One axial slice (299 of 683, counting up from the lowest) of an arterial-phase abdominal CT acquired with 120 kVp, kernel I30f; each pixel is 0.738 mm and the slice is 1.00 mm thick.
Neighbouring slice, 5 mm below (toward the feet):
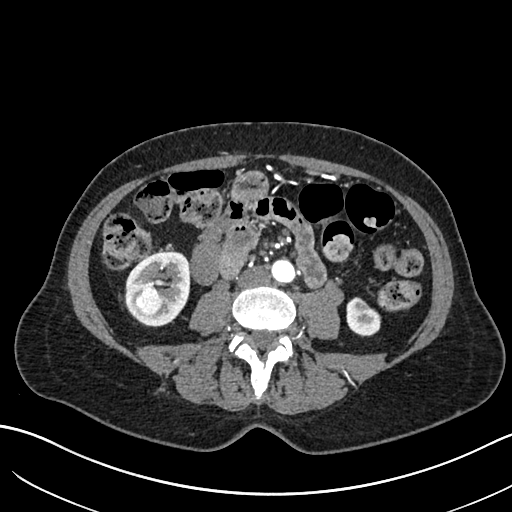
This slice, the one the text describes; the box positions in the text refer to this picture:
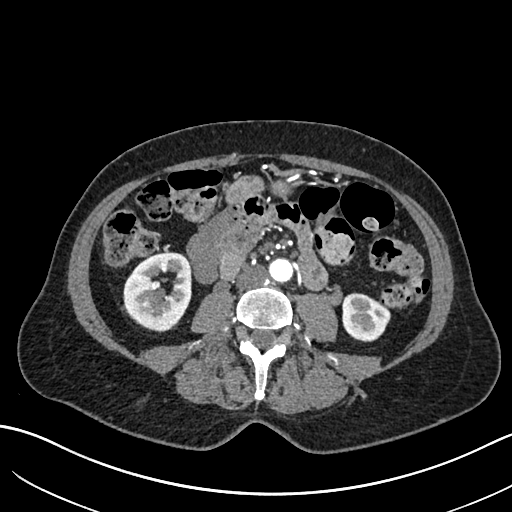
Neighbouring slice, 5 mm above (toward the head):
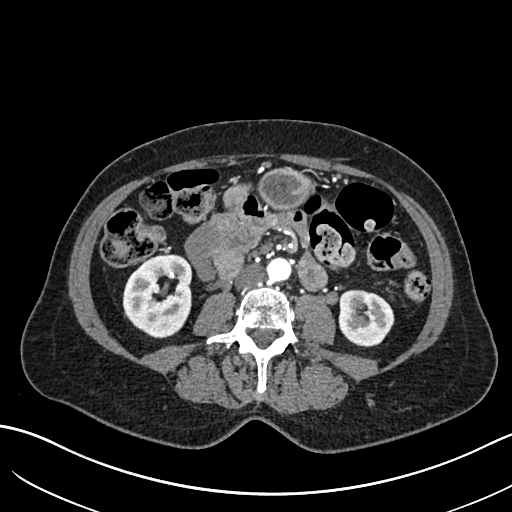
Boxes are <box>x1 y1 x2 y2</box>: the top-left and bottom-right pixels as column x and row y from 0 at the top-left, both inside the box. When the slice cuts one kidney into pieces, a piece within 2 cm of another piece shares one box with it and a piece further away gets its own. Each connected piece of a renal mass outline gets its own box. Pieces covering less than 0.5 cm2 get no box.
Three boxes on this slice (two kidney boxes and one renal mass box), listed by box centre from the image's left to its right. (1) Right renal mass: <box>146 291 164 307</box> (outlined area 249 px, about 1.4 cm2). (2) At <box>123 251 191 331</box>: right kidney (outlined area 3,912 px, about 21.3 cm2). (3) Left kidney: <box>343 292 390 342</box> (outlined area 1,809 px, about 9.9 cm2). This slice lies near the end of the right renal mass toward the head; the slices 5 mm below and 5 mm above it are shown too, and the boxes mark positions on this slice only.